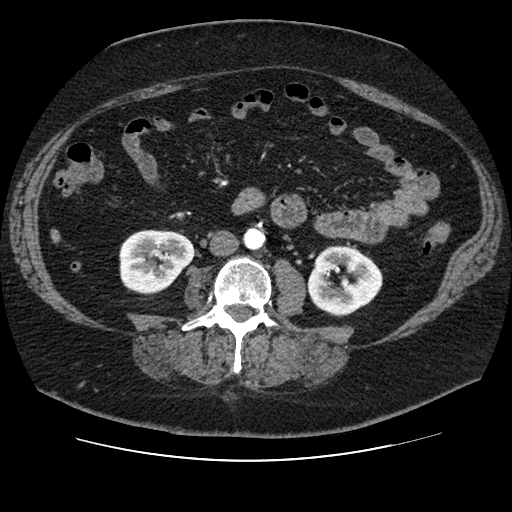
Abdominal CT with intravenous contrast, arterial phase, axial plane, 120 kVp, kernel STANDARD. Slice 33/106 from the bottom of the scan; thickness 2.50 mm; pixel size 0.742 mm.
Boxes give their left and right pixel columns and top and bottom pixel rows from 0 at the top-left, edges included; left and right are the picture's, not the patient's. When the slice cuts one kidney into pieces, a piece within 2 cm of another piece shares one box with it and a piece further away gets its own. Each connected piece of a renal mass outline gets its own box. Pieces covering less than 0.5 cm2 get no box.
Boxed on this slice (two kidney boxes), listed by box centre from the image's left to its right: (1) Right kidney in the box with left 119, top 229, right 194, bottom 294 (outlined area 3,842 px, about 21.2 cm2). (2) Left kidney, the box with left 306, top 245, right 382, bottom 316 (outlined area 3,919 px, about 21.6 cm2). No renal mass outline on this slice.